Arterial-phase contrast-enhanced abdominal CT, axial slice 197 of 383 (counted from the lowest slice); tube voltage 100 kVp, convolution kernel SOFT; slices 1.25 mm thick, 0.898 mm per pixel.
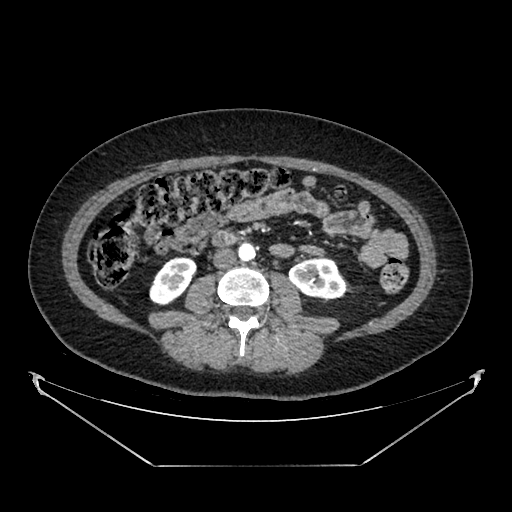
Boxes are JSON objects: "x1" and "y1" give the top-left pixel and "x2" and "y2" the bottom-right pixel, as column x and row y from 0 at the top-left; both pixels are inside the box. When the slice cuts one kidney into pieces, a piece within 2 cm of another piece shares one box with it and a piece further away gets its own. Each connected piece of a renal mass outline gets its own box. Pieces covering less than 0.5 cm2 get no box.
Boxed on this slice (two kidney boxes), listed by box centre from the image's left to its right: (1) Right kidney, box {"x1": 149, "y1": 257, "x2": 196, "y2": 305} (outlined area 1,588 px, about 12.8 cm2). (2) Box {"x1": 288, "y1": 258, "x2": 346, "y2": 298}: left kidney (outlined area 1,854 px, about 15.0 cm2). No renal mass outline on this slice.